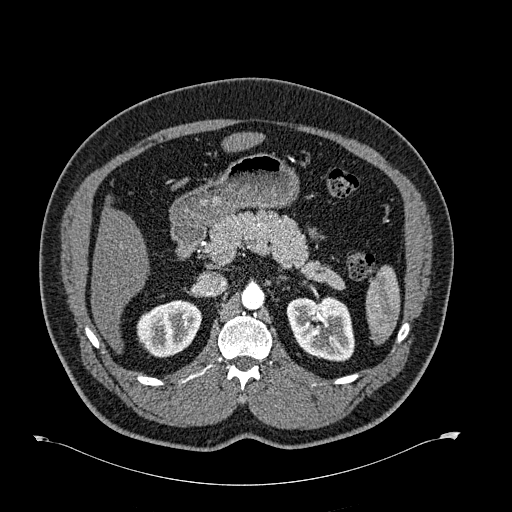
Arterial-phase contrast-enhanced abdominal CT, axial slice 424 of 723 (counted from the lowest slice); tube voltage 120 kVp, convolution kernel B30f; slices 1.00 mm thick, 0.895 mm per pixel.
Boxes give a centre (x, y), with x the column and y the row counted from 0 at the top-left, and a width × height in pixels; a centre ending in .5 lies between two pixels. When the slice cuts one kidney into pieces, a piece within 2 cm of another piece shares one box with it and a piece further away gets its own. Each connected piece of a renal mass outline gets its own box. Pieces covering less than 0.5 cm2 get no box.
Two kidney boxes on this slice; by box centre, from the image's left to its right: (1) Box centre (169, 328.5), 67 × 58 pixels: right kidney (outlined area 2,834 px, about 22.7 cm2). (2) Left kidney in a box with centre (320.5, 328.5), 70 × 66 pixels (outlined area 3,494 px, about 28.0 cm2). No renal mass outline on this slice.